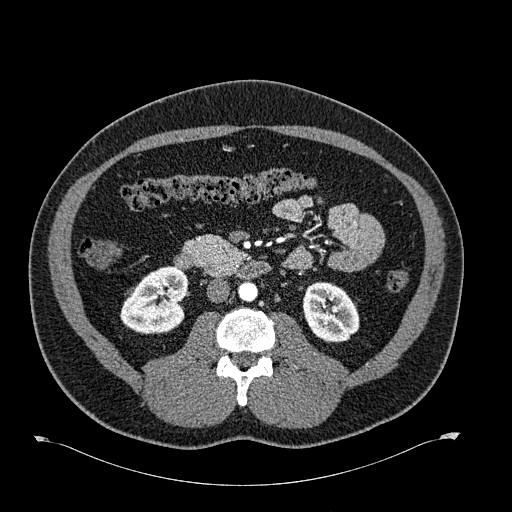
Axial slice 328 of 723 of a contrast-enhanced abdominal CT in the arterial phase (slice 1 is the lowest), 120 kVp, kernel B30f; 1.00 mm slice thickness and 0.895 mm pixels.
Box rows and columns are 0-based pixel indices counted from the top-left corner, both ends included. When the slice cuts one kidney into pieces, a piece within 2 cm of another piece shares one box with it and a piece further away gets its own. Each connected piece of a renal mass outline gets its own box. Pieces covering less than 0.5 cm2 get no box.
Two kidney boxes on this slice; by box centre, from the image's left to its right: (1) Box rows 266–334, columns 120–188: right kidney (outlined area 3,430 px, about 27.4 cm2). (2) Left kidney, box rows 281–342, columns 302–359 (outlined area 2,706 px, about 21.7 cm2).